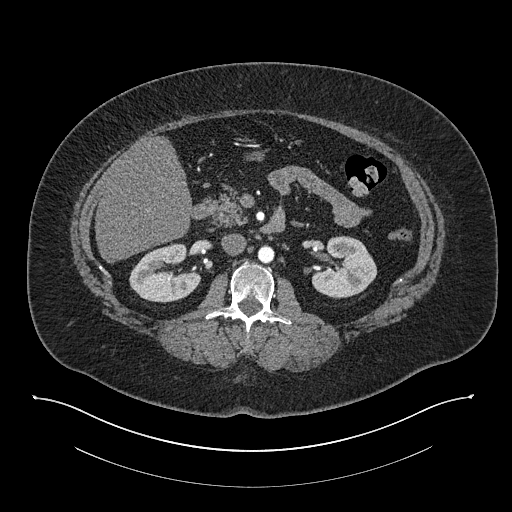
Axial slice 459 of 673 of a contrast-enhanced abdominal CT in the arterial phase (slice 1 is the lowest), 140 kVp, kernel I30f; 1.00 mm slice thickness and 0.957 mm pixels.
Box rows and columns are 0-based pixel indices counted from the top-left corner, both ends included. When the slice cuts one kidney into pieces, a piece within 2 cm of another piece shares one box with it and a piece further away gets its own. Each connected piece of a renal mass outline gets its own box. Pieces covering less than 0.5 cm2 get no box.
Two boxes on this slice (two kidney boxes), listed by box centre from the image's left to its right. (1) Box rows 243–302, columns 129–201: right kidney (outlined area 2,987 px, about 27.4 cm2). (2) Left kidney at rows 236–298, columns 311–377 (outlined area 3,009 px, about 27.6 cm2). No renal mass is outlined on this slice.